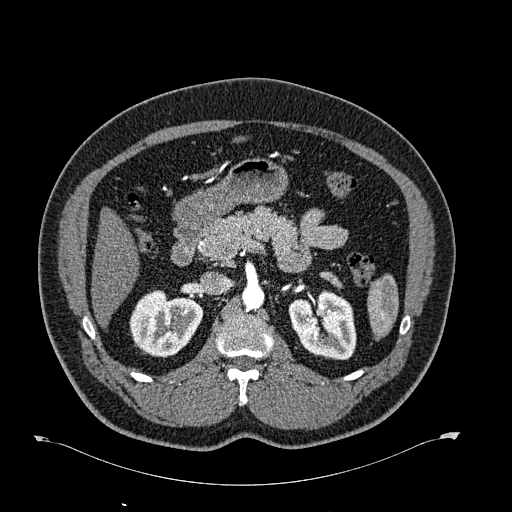
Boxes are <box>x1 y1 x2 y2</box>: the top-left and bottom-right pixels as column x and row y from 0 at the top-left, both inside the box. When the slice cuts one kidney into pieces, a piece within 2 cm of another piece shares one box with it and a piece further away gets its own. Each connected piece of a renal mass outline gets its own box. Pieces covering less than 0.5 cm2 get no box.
Slice 412/723 of a contrast-enhanced abdominal CT in the arterial phase, counting up from the lowest; pixel size 0.895 mm, slice thickness 1.00 mm. Boxed on this slice (two kidney boxes), listed by box centre from the image's left to its right: (1) Right kidney at <box>129 290 203 357</box> (outlined area 3,648 px, about 29.2 cm2). (2) Left kidney: <box>288 290 356 360</box> (outlined area 3,579 px, about 28.6 cm2). No renal mass outline on this slice.
Scan settings: 120 kVp, B30f reconstruction kernel.